Abdominal CT with intravenous contrast, arterial phase, axial plane, 120 kVp, kernel I30f. Slice 423/612 from the bottom of the scan; thickness 1.00 mm; pixel size 0.703 mm.
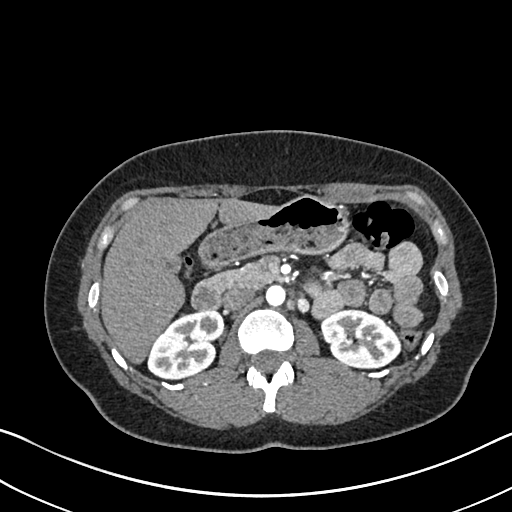
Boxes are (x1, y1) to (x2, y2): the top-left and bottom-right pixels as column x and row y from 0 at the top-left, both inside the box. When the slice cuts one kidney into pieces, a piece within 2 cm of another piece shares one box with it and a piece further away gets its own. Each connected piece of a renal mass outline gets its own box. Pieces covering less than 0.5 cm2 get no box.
Two boxes on this slice (two kidney boxes), listed by box centre from the image's left to its right. (1) Box (147, 309) to (224, 379): right kidney (outlined area 3,872 px, about 19.1 cm2). (2) Left kidney from (320, 306) to (401, 369) (outlined area 3,730 px, about 18.4 cm2). No renal mass is outlined on this slice.